One axial slice (263 of 439, counting up from the lowest) of a contrast-enhanced abdominal CT acquired with 100 kVp, kernel I40f; each pixel is 0.850 mm and the slice is 2.00 mm thick.
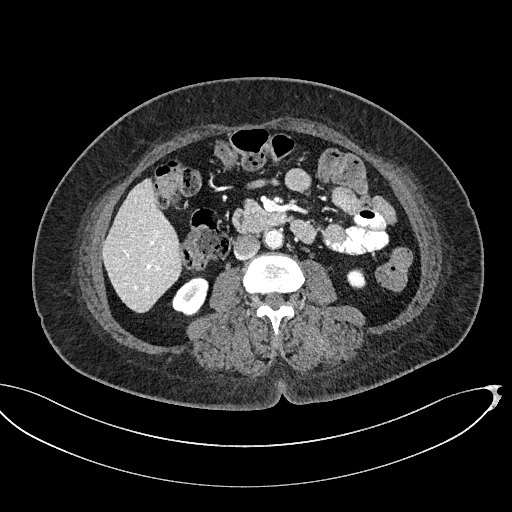
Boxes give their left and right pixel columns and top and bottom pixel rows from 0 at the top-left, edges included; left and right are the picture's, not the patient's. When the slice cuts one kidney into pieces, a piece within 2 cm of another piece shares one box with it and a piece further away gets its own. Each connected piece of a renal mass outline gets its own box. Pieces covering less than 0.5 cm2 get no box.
Two kidney boxes on this slice; by box centre, from the image's left to its right: (1) Right kidney in the box with left 171, top 276, right 208, bottom 316 (outlined area 1,035 px, about 7.5 cm2). (2) Left kidney, the box with left 346, top 268, right 366, bottom 288 (outlined area 324 px, about 2.3 cm2). No renal mass is outlined on this slice.